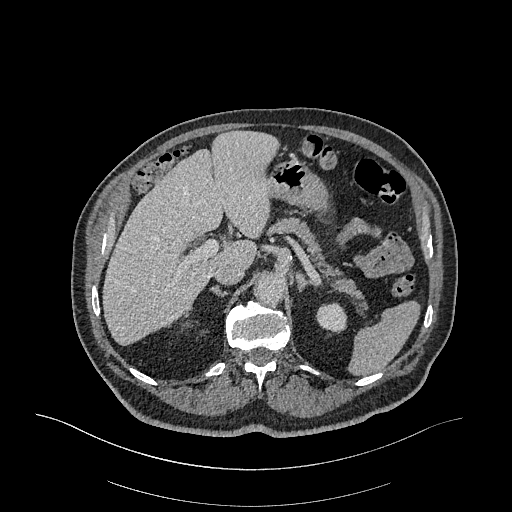
One axial slice (252 of 470, counting up from the lowest) of an arterial-phase abdominal CT acquired with 120 kVp, kernel I26f; each pixel is 0.938 mm and the slice is 1.00 mm thick.
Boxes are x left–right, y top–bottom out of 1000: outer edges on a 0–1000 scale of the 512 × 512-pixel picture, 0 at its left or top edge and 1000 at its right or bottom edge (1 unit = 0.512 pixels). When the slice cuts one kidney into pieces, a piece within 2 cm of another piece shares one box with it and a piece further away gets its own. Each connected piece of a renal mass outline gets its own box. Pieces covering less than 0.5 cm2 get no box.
Left kidney, box x 617–680, y 590–652 out of 1000 (outlined area 754 px, about 6.6 cm2). No renal mass outline on this slice.